Axial slice 81 of 103 of a contrast-enhanced abdominal CT in the arterial phase (slice 1 is the lowest), 120 kVp, kernel B41f; 5.00 mm slice thickness and 0.951 mm pixels.
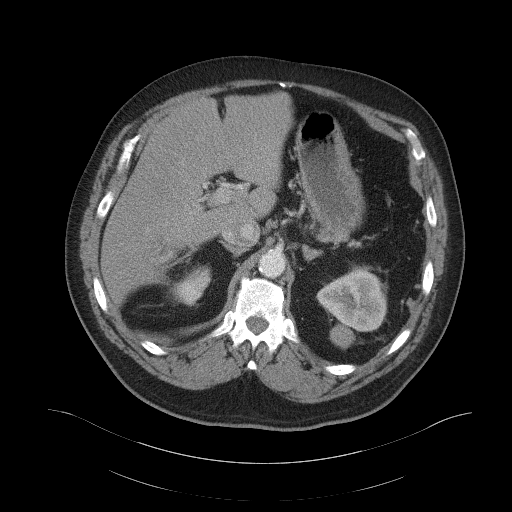
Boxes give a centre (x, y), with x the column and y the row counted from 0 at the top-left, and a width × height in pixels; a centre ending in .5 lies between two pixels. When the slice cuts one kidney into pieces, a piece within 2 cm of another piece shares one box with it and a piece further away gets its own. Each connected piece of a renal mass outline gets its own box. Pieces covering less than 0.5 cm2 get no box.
Two kidney boxes on this slice; by box centre, from the image's left to its right: (1) Box centre (189.5, 285.5), 44 × 42 pixels: right kidney (outlined area 1,098 px, about 9.9 cm2). (2) Left kidney, box centre (351, 299.5), 71 × 64 pixels (outlined area 3,205 px, about 29.0 cm2). No renal mass outline on this slice.